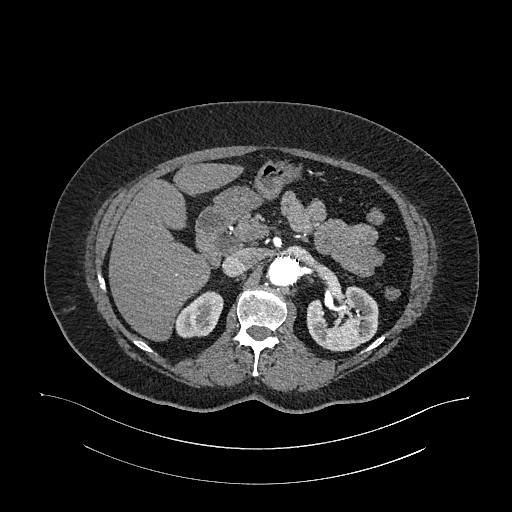
Abdominal CT with intravenous contrast, arterial phase, axial plane, 120 kVp, kernel I26f. Slice 711/987 from the bottom of the scan; thickness 1.00 mm; pixel size 0.977 mm.
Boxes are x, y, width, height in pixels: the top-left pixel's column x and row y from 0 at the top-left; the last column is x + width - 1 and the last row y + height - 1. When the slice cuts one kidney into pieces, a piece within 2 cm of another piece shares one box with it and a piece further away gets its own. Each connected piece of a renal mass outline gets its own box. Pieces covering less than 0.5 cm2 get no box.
Boxed on this slice (two kidney boxes), listed by box centre from the image's left to its right: (1) Right kidney at x 175, y 291, width 49, height 48 (outlined area 1,616 px, about 15.4 cm2). (2) Left kidney, box x 306, y 286, width 73, height 66 (outlined area 3,579 px, about 34.1 cm2). This slice carries no renal mass outline.